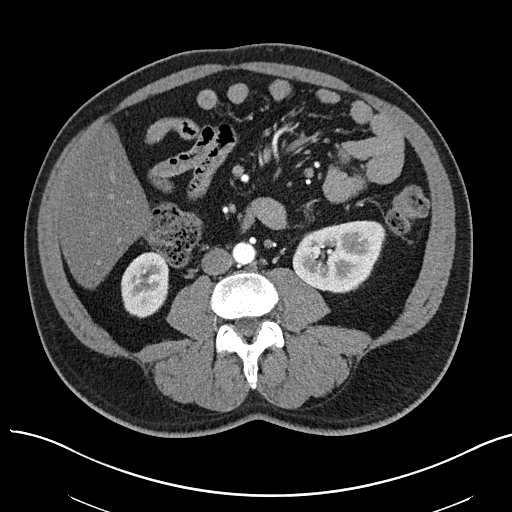
One axial slice (19 of 97, counting up from the lowest) of an arterial-phase abdominal CT acquired with 100 kVp, kernel I40f; each pixel is 0.797 mm and the slice is 3.00 mm thick.
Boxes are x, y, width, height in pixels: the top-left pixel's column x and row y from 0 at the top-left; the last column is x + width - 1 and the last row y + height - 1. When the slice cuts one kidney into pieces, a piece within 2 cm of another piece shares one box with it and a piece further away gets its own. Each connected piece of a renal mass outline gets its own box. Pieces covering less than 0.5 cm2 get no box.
Two boxes on this slice (two kidney boxes), listed by box centre from the image's left to its right. (1) Right kidney, box x 121, y 251, width 48, height 68 (outlined area 2,539 px, about 16.1 cm2). (2) Left kidney, box x 292, y 220, width 95, height 74 (outlined area 5,114 px, about 32.5 cm2). No renal mass outline on this slice.